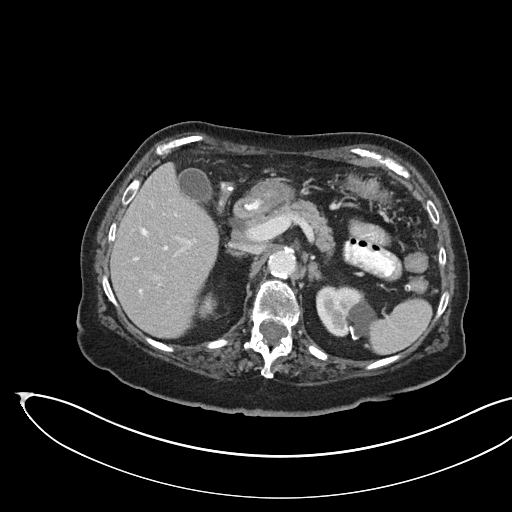
Abdominal CT with intravenous contrast, arterial phase, axial plane, 100 kVp, kernel I40f. Slice 110/145 from the bottom of the scan; thickness 3.00 mm; pixel size 0.834 mm.
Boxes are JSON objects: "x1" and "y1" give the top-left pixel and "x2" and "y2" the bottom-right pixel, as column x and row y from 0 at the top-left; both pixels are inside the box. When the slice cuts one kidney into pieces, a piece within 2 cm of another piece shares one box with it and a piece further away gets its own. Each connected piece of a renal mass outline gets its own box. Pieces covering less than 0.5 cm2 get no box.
Two boxes on this slice (two kidney boxes), listed by box centre from the image's left to its right. (1) Kidney at {"x1": 199, "y1": 292, "x2": 215, "y2": 318} (outlined area 306 px, about 2.1 cm2). (2) Box {"x1": 315, "y1": 286, "x2": 376, "y2": 340}: kidney (outlined area 2,471 px, about 17.2 cm2). No renal mass is outlined on this slice.